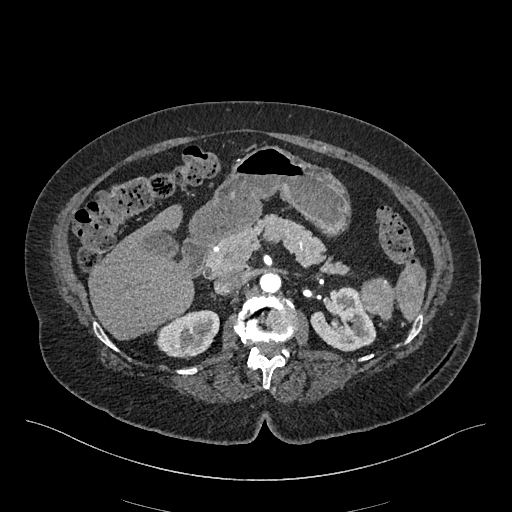
Abdominal CT with intravenous contrast, arterial phase, axial plane, 120 kVp, kernel I26f. Slice 290/548 from the bottom of the scan; thickness 1.00 mm; pixel size 0.852 mm.
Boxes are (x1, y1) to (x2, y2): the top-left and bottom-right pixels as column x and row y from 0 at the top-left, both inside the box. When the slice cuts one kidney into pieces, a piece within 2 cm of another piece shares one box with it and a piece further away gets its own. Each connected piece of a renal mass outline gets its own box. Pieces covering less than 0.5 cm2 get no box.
Boxed on this slice (two kidney boxes and one renal mass box), listed by box centre from the image's left to its right: (1) Box (155, 310) to (219, 357): right kidney (outlined area 2,269 px, about 16.5 cm2). (2) Left kidney, box (310, 286) to (376, 351) (outlined area 2,877 px, about 20.9 cm2). (3) Box (359, 277) to (394, 320): left renal mass (outlined area 1,172 px, about 8.5 cm2).